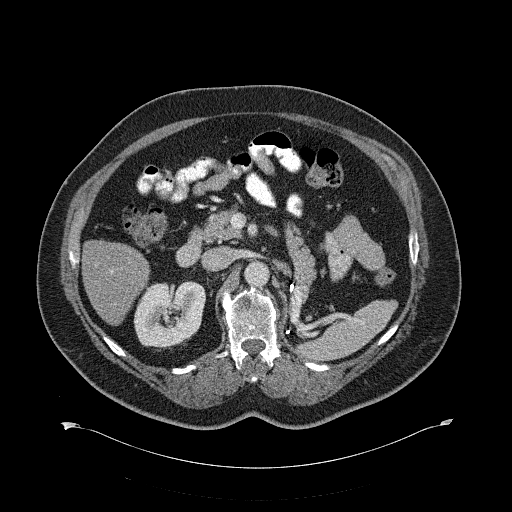
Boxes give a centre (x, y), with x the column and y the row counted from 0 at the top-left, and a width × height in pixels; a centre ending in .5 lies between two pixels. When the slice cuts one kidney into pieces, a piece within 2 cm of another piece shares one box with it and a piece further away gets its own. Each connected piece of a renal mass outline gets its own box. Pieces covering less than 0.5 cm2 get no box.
Contrast-enhanced abdominal CT, axial slice 394 of 734 (counted from the lowest slice); 2.00 mm thick, 0.971 mm per pixel. Right kidney, box centre (168.5, 315.5), 72 × 72 pixels (outlined area 3,930 px, about 37.0 cm2). No renal mass is outlined on this slice.
Tube voltage 120 kVp; convolution kernel B31f.